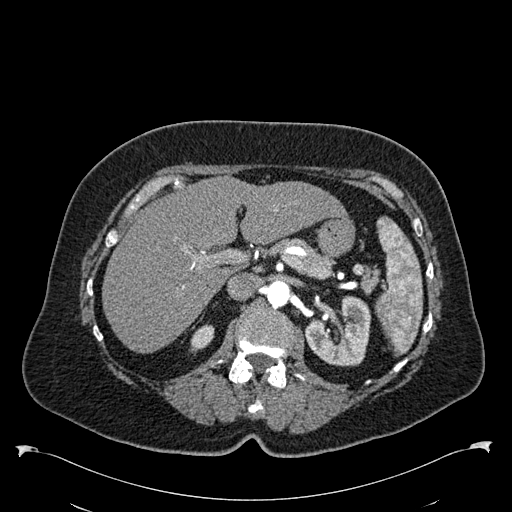
Abdominal CT with intravenous contrast, arterial phase, axial plane, 120 kVp, kernel B30f. Slice 383/538 from the bottom of the scan; thickness 1.00 mm; pixel size 0.811 mm.
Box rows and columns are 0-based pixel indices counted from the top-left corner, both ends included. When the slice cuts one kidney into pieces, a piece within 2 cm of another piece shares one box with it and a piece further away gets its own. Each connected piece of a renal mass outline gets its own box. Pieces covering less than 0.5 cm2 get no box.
Two kidney boxes on this slice; by box centre, from the image's left to its right: (1) Box rows 324–354, columns 189–214: right kidney (outlined area 481 px, about 3.2 cm2). (2) Left kidney at rows 295–366, columns 304–371 (outlined area 3,362 px, about 22.1 cm2). This slice carries no renal mass outline.